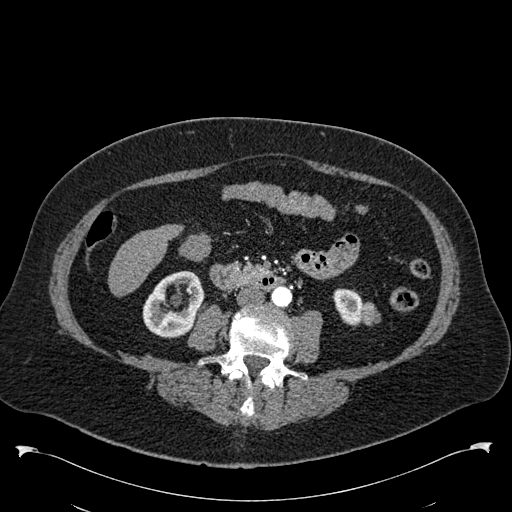
Arterial-phase contrast-enhanced abdominal CT, axial slice 241 of 538 (counted from the lowest slice); tube voltage 120 kVp, convolution kernel B30f; slices 1.00 mm thick, 0.811 mm per pixel.
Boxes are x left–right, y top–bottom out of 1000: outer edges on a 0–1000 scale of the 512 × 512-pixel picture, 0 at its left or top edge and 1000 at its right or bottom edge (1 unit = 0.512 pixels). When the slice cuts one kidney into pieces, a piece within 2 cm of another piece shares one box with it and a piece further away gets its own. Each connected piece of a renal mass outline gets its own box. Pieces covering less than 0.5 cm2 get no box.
Two kidney boxes and one renal mass box on this slice; by box centre, from the image's left to its right: (1) Right kidney, box x 277–400, y 529–662 out of 1000 (outlined area 2,826 px, about 18.6 cm2). (2) Left kidney at x 648–707, y 563–639 out of 1000 (outlined area 854 px, about 5.6 cm2). (3) Left renal mass at x 703–744, y 586–637 out of 1000 (outlined area 378 px, about 2.5 cm2).